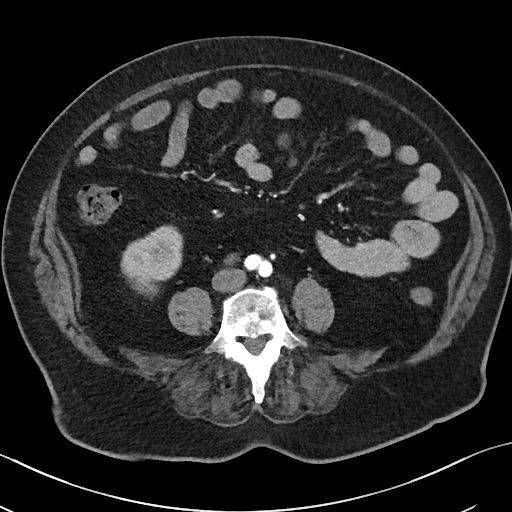
One axial slice (8 of 50, counting up from the lowest) of a contrast-enhanced abdominal CT acquired with 100 kVp, kernel I40f; each pixel is 0.723 mm and the slice is 5.00 mm thick.
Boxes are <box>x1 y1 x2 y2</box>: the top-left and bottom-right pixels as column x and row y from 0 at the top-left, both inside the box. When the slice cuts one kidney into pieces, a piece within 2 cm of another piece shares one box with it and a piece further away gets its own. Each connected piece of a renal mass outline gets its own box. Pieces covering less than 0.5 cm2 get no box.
Right kidney at <box>120 225 182 298</box> (outlined area 3,058 px, about 16.0 cm2). This slice carries no renal mass outline.